One axial slice (52 of 90, counting up from the lowest) of an arterial-phase abdominal CT acquired with 100 kVp, kernel I40f; each pixel is 0.703 mm and the slice is 5.00 mm thick.
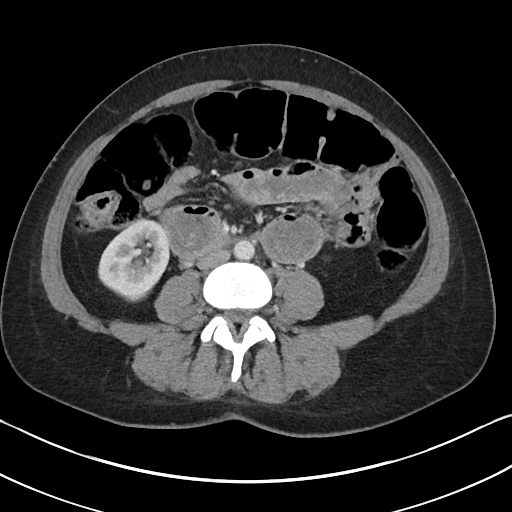
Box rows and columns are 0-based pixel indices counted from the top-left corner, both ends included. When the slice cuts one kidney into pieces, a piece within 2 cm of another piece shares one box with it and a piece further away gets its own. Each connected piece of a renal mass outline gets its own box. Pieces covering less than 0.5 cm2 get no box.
Right kidney at rows 219–302, columns 97–169 (outlined area 4,321 px, about 21.4 cm2). No renal mass is outlined on this slice.